Axial slice 301 of 670 of a contrast-enhanced abdominal CT in the arterial phase (slice 1 is the lowest), 120 kVp, kernel I30f; 1.00 mm slice thickness and 0.861 mm pixels.
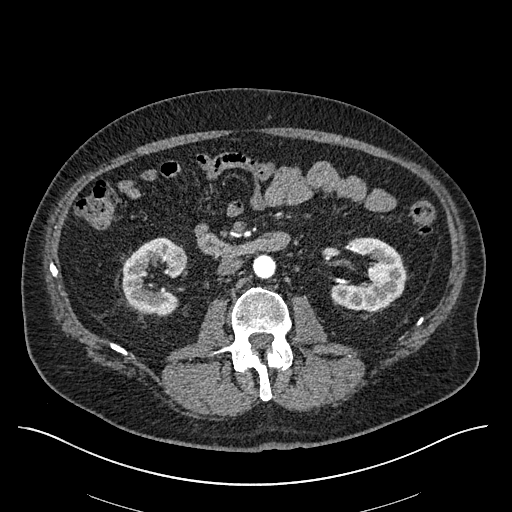
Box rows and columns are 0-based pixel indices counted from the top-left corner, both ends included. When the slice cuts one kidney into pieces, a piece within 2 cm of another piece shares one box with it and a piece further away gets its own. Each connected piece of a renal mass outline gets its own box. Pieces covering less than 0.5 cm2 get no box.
Three boxes on this slice (two kidney boxes and one renal mass box), listed by box centre from the image's left to its right. (1) Right kidney at rows 237–314, columns 122–187 (outlined area 2,994 px, about 22.2 cm2). (2) Right renal mass at rows 246–267, columns 163–187 (outlined area 440 px, about 3.3 cm2). (3) Box rows 237–310, columns 330–405: left kidney (outlined area 3,661 px, about 27.2 cm2).